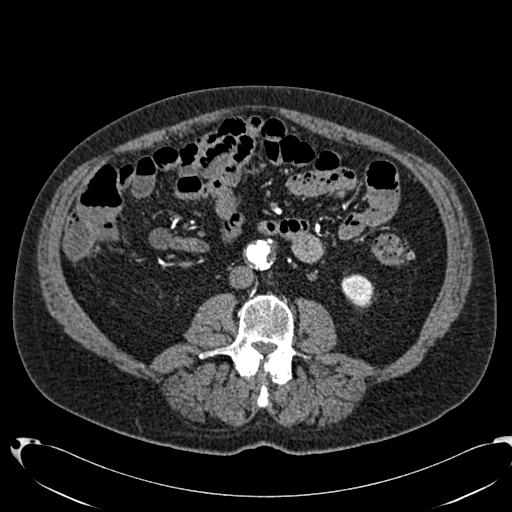
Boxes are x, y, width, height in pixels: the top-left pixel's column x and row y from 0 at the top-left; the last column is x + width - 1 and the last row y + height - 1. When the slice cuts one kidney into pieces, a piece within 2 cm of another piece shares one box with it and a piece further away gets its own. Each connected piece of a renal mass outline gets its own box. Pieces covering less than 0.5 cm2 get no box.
This is axial slice 317 of 553 (slice 1 is the lowest) of an arterial-phase abdominal CT with contrast; each pixel is 0.773 mm and the slice is 1.00 mm thick. Left kidney at x 341, y 274, width 33, height 35 (outlined area 832 px, about 5.0 cm2). No renal mass is outlined on this slice.
Acquired at 120 kVp and reconstructed with the B20f kernel.